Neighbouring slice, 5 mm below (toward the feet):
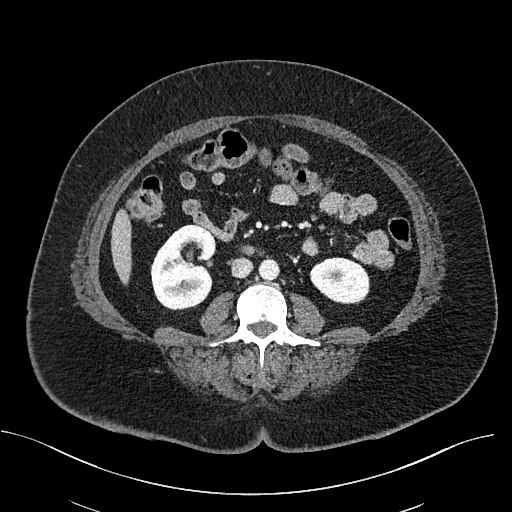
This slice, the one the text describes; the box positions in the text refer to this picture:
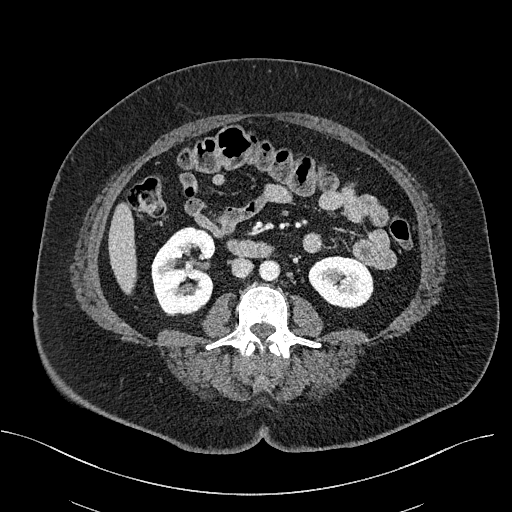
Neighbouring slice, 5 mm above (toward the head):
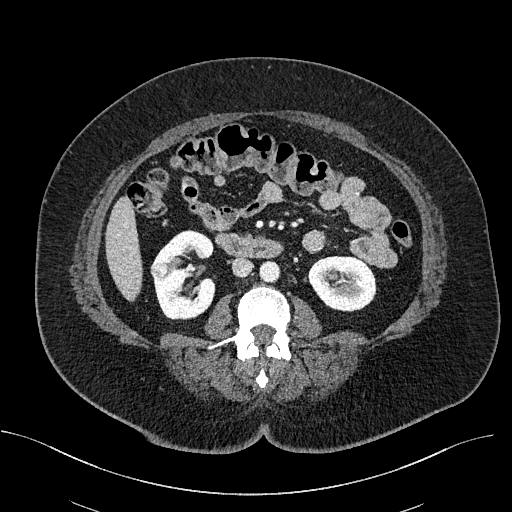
One axial slice (271 of 470, counting up from the lowest) of a contrast-enhanced abdominal CT acquired with 100 kVp, kernel I40f; each pixel is 0.824 mm and the slice is 2.00 mm thick.
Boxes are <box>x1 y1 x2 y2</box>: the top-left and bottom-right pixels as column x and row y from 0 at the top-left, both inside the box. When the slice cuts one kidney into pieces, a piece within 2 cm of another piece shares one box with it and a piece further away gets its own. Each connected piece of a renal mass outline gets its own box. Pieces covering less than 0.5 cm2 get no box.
Boxed on this slice (two kidney boxes and one renal mass box), listed by box centre from the image's left to its right: (1) Right renal mass: <box>156 265 166 275</box> (outlined area 90 px, about 0.6 cm2). (2) Right kidney: <box>151 226 215 316</box> (outlined area 4,360 px, about 29.6 cm2). (3) At <box>308 256 373 308</box>: left kidney (outlined area 2,665 px, about 18.1 cm2). This slice is near the end of the right renal mass toward the feet, so the slices 5 mm below and 5 mm above it are shown as well; the boxes refer to this slice only.